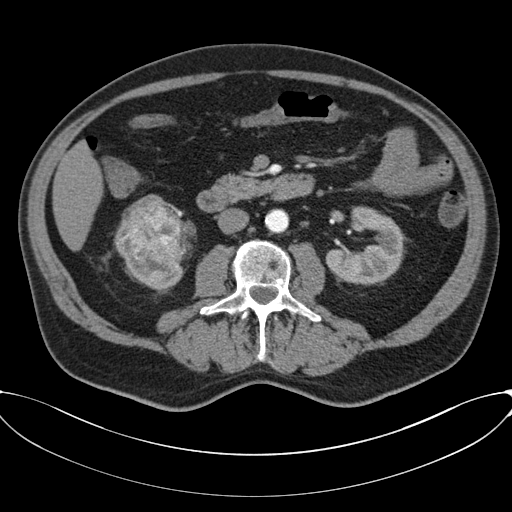
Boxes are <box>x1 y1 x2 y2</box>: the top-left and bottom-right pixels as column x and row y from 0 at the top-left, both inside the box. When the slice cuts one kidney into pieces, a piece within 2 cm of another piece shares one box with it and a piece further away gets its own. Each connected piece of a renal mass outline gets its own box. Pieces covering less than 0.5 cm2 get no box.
This is axial slice 30 of 80 (slice 1 is the lowest) of an abdominal CT with contrast; each pixel is 0.822 mm and the slice is 3.00 mm thick. Boxed on this slice (two kidney boxes and one renal mass box), listed by box centre from the image's left to its right: (1) Right kidney at <box>114 232 184 288</box> (outlined area 584 px, about 3.9 cm2). (2) Right renal mass at <box>119 198 195 279</box> (outlined area 4,684 px, about 31.7 cm2). (3) Left kidney: <box>326 206 406 285</box> (outlined area 4,016 px, about 27.2 cm2).
Scan settings: 120 kVp, B30f reconstruction kernel.